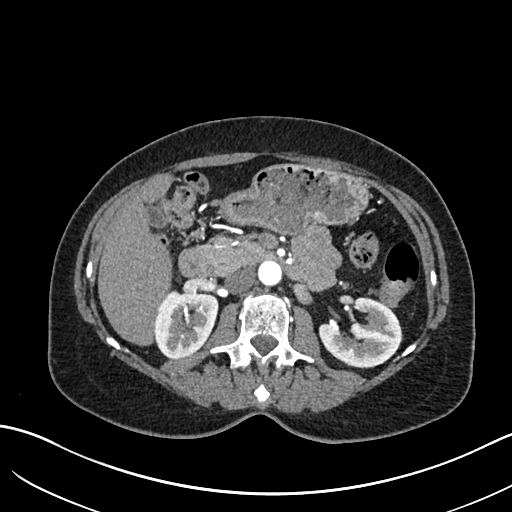
Axial slice 382 of 683 of a contrast-enhanced abdominal CT in the arterial phase (slice 1 is the lowest), 120 kVp, kernel I30f; 1.00 mm slice thickness and 0.738 mm pixels.
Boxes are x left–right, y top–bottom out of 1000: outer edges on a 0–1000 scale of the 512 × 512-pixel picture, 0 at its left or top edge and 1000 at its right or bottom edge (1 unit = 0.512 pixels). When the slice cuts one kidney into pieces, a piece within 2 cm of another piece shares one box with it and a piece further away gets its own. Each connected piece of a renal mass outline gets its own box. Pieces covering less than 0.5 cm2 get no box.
Two boxes on this slice (two kidney boxes), listed by box centre from the image's left to its right. (1) Right kidney at x 301–428, y 566–703 out of 1000 (outlined area 3,459 px, about 18.9 cm2). (2) Left kidney, box x 623–785, y 580–721 out of 1000 (outlined area 4,038 px, about 22.0 cm2). No renal mass is outlined on this slice.